One axial slice (127 of 269, counting up from the lowest) of a contrast-enhanced abdominal CT acquired with 100 kVp, kernel I30f; each pixel is 0.732 mm and the slice is 5.00 mm thick.
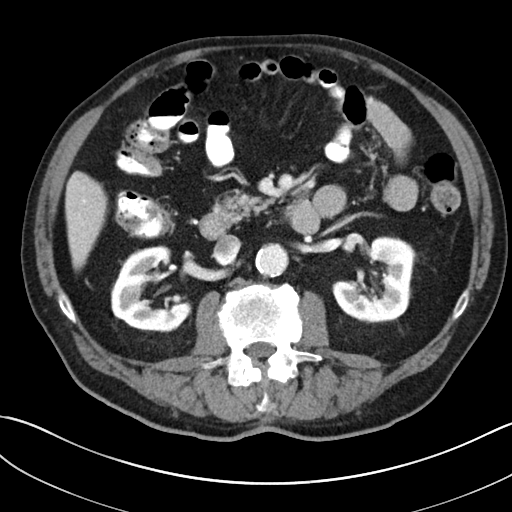
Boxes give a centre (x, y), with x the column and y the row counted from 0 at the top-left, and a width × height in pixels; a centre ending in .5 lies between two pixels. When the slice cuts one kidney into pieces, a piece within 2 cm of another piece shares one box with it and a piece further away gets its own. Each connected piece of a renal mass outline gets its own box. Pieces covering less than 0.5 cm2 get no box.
Two boxes on this slice (two kidney boxes), listed by box centre from the image's left to its right. (1) Right kidney, box centre (150.5, 289), 80 × 87 pixels (outlined area 4,491 px, about 24.1 cm2). (2) Left kidney in a box with centre (374.5, 279.5), 86 × 88 pixels (outlined area 4,863 px, about 26.1 cm2). No renal mass outline on this slice.